Arterial-phase contrast-enhanced abdominal CT, axial slice 110 of 285 (counted from the lowest slice); tube voltage 120 kVp, convolution kernel B31f; slices 2.00 mm thick, 0.762 mm per pixel.
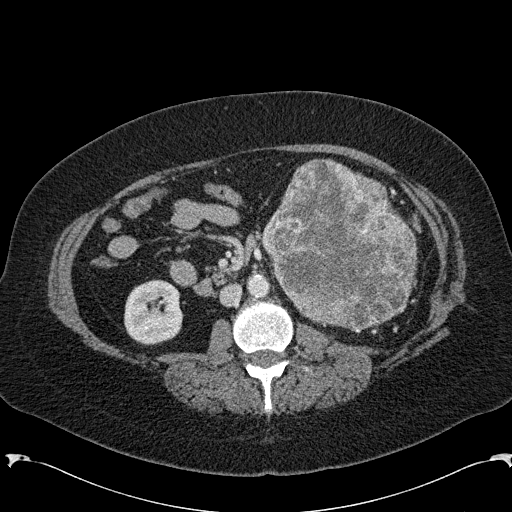
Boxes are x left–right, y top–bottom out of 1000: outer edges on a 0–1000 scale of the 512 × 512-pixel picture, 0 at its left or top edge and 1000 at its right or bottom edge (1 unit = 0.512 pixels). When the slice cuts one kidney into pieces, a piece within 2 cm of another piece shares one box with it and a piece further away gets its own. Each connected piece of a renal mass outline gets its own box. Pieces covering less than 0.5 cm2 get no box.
Boxed on this slice (one kidney box and one renal mass box), listed by box centre from the image's left to its right: (1) Right kidney, box x 242–359, y 545–676 out of 1000 (outlined area 3,151 px, about 18.3 cm2). (2) Left renal mass at x 510–818, y 309–646 out of 1000 (outlined area 19,500 px, about 113.1 cm2); on this slice it lies more than 1 cm from any kidney outline, but the same outlined renal mass comes within 1 cm of the kidney on another slice.